Abdominal CT with intravenous contrast, arterial phase, axial plane, 100 kVp, kernel I30f. Slice 145/304 from the bottom of the scan; thickness 2.00 mm; pixel size 0.809 mm.
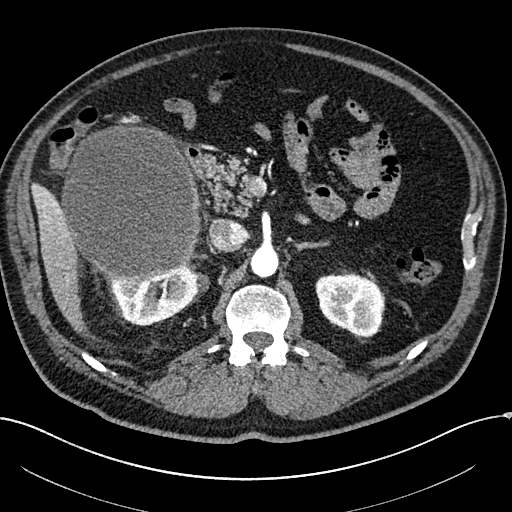
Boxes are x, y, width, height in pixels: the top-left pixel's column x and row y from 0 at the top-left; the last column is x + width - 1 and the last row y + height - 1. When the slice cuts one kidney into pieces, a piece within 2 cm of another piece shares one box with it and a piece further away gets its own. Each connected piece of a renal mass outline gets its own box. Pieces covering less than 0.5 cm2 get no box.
Two kidney boxes and one renal mass box on this slice; by box centre, from the image's left to its right: (1) Box x 59, y 124, width 142, height 158: right renal mass (outlined area 17,617 px, about 115.2 cm2). (2) Right kidney at x 107, y 263, width 95, height 63 (outlined area 3,467 px, about 22.7 cm2). (3) Left kidney, box x 315, y 274, width 69, height 64 (outlined area 3,364 px, about 22.0 cm2).